Abdominal CT with intravenous contrast, arterial phase, axial plane, 120 kVp, kernel I30f. Slice 244/602 from the bottom of the scan; thickness 1.00 mm; pixel size 0.799 mm.
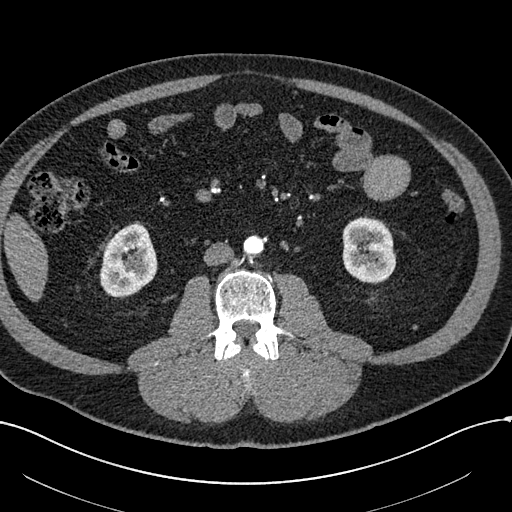
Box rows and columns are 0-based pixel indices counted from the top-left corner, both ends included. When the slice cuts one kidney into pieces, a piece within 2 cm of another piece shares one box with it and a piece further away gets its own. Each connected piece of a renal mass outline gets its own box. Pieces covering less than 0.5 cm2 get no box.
Two boxes on this slice (two kidney boxes), listed by box centre from the image's left to its right. (1) Box rows 222–298, columns 99–157: right kidney (outlined area 3,211 px, about 20.5 cm2). (2) Box rows 216–284, columns 342–396: left kidney (outlined area 2,987 px, about 19.1 cm2).